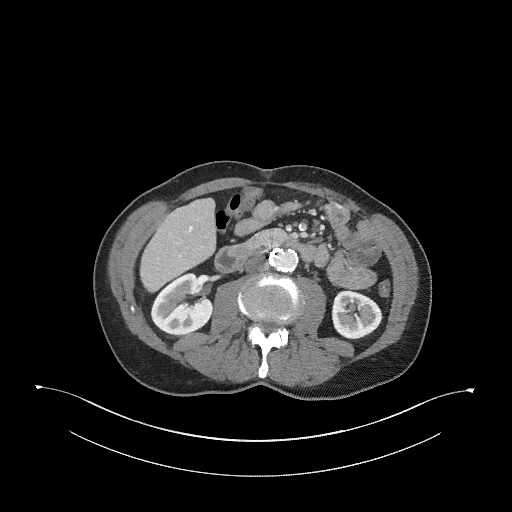
Axial slice 144 of 345 of a contrast-enhanced abdominal CT in the arterial phase (slice 1 is the lowest), 120 kVp, kernel I31f; 2.00 mm slice thickness and 0.977 mm pixels.
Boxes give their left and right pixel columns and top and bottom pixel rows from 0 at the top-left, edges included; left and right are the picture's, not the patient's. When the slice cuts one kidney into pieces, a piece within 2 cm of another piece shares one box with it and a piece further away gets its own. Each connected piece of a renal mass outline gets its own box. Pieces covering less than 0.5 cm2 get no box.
Two kidney boxes on this slice; by box centre, from the image's left to its right: (1) Right kidney in the box with left 150, top 272, right 213, bottom 335 (outlined area 2,871 px, about 27.4 cm2). (2) Left kidney, the box with left 331, top 290, right 382, bottom 339 (outlined area 1,981 px, about 18.9 cm2). No renal mass outline on this slice.